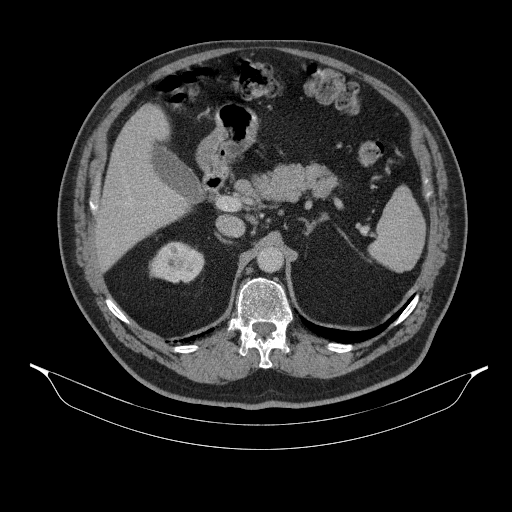
Abdominal CT with intravenous contrast, axial plane, 130 kVp, kernel B31s. Slice 231/314 from the bottom of the scan; thickness 2.50 mm; pixel size 0.934 mm.
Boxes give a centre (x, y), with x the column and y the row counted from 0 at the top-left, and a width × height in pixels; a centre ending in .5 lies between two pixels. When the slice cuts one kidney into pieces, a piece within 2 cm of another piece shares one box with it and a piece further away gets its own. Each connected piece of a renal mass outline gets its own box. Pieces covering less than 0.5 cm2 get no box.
Right kidney, box centre (176, 262), 57 × 43 pixels (outlined area 1,796 px, about 15.7 cm2). No renal mass outline on this slice.